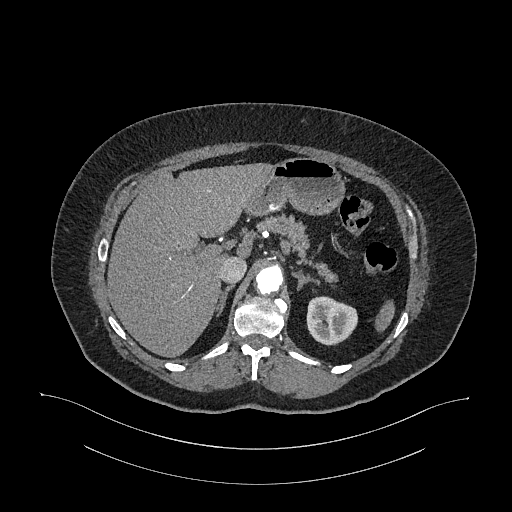
One axial slice (772 of 987, counting up from the lowest) of an arterial-phase abdominal CT acquired with 120 kVp, kernel I26f; each pixel is 0.977 mm and the slice is 1.00 mm thick.
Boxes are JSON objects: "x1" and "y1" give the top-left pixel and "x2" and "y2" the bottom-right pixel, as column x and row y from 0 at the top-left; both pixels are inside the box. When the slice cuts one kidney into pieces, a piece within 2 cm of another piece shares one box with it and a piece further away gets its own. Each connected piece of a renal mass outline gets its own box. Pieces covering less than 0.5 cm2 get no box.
Box {"x1": 306, "y1": 296, "x2": 357, "y2": 345}: left kidney (outlined area 1,987 px, about 18.9 cm2). No renal mass outline on this slice.